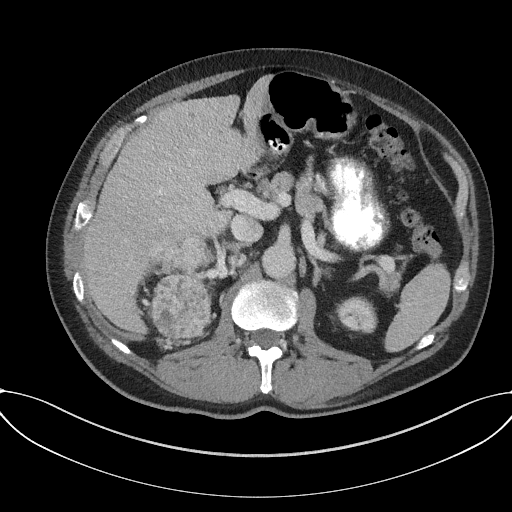
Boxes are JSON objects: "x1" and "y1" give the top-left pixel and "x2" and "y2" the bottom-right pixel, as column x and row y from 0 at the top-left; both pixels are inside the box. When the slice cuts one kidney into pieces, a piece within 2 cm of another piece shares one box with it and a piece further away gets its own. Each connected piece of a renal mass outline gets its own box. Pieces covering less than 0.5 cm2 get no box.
Slice 107/227 of a contrast-enhanced abdominal CT in the arterial phase, counting up from the lowest; pixel size 0.816 mm, slice thickness 3.00 mm. One kidney box and one renal mass box on this slice; by box centre, from the image's left to its right: (1) Right renal mass at {"x1": 150, "y1": 238, "x2": 210, "y2": 338} (outlined area 5,034 px, about 33.6 cm2); here it is more than 1 cm from any kidney outline, though on another slice the same outlined renal mass lies within 1 cm of the kidney. (2) Left kidney at {"x1": 338, "y1": 296, "x2": 374, "y2": 332} (outlined area 1,061 px, about 7.1 cm2).
Scan settings: 120 kVp, I31f reconstruction kernel.